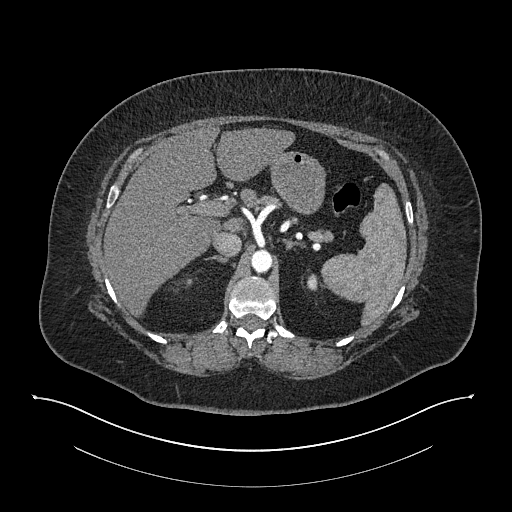
Abdominal CT with intravenous contrast, arterial phase, axial plane, 140 kVp, kernel I30f. Slice 576/673 from the bottom of the scan; thickness 1.00 mm; pixel size 0.957 mm.
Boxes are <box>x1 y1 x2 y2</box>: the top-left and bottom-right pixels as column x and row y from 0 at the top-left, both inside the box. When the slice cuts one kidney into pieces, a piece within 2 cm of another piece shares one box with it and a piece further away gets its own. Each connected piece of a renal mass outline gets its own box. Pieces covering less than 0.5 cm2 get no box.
Left kidney: <box>307 274 318 290</box> (outlined area 162 px, about 1.5 cm2). No renal mass outline on this slice.